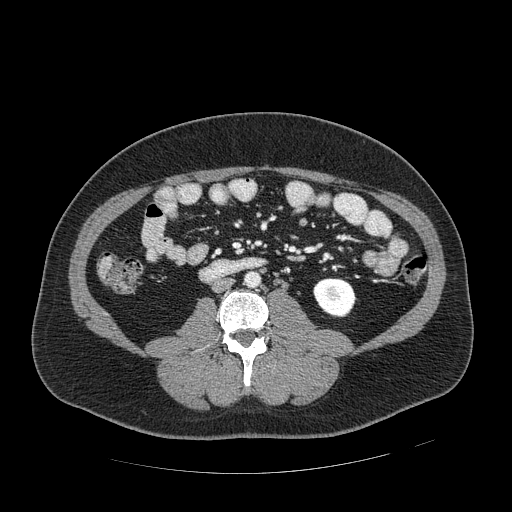
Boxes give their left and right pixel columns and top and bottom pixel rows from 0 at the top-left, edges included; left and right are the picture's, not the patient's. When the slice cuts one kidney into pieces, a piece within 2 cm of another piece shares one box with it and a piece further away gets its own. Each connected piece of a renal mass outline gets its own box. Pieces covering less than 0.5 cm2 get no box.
This is axial slice 218 of 389 (slice 1 is the lowest) of an arterial-phase abdominal CT with contrast; each pixel is 0.869 mm and the slice is 1.25 mm thick. Left kidney, the box with left 313, top 277, right 355, bottom 317 (outlined area 1,346 px, about 10.2 cm2). This slice carries no renal mass outline.
Tube voltage 120 kVp; convolution kernel STANDARD.